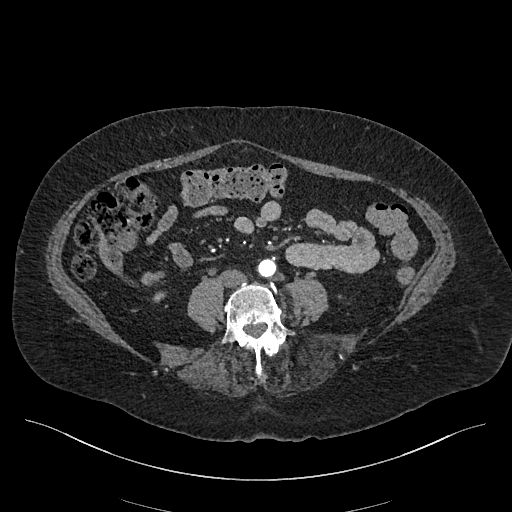
Abdominal CT with intravenous contrast, arterial phase, axial plane, 120 kVp, kernel I26f. Slice 143/548 from the bottom of the scan; thickness 1.00 mm; pixel size 0.852 mm.
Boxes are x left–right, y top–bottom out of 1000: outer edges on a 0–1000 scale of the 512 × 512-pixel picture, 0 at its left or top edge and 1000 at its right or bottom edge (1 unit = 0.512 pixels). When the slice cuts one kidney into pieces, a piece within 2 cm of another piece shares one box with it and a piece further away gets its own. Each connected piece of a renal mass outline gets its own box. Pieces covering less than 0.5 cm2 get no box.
Right kidney, box x 299–324, y 568–592 out of 1000 (outlined area 97 px, about 0.7 cm2). This slice carries no renal mass outline.